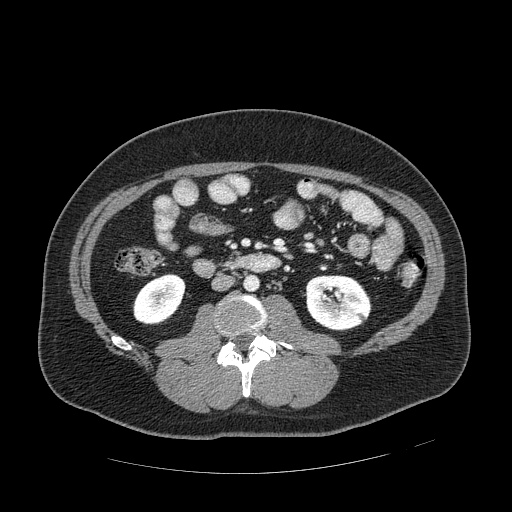
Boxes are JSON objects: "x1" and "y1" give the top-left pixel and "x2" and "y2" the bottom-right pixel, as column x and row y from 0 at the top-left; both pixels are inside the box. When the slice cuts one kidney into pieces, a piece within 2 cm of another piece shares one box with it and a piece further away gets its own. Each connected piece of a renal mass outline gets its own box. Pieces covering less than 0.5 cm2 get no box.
This is axial slice 234 of 389 (slice 1 is the lowest) of an arterial-phase abdominal CT with contrast; each pixel is 0.869 mm and the slice is 1.25 mm thick. Two boxes on this slice (two kidney boxes), listed by box centre from the image's left to its right. (1) Box {"x1": 132, "y1": 273, "x2": 185, "y2": 324}: right kidney (outlined area 1,999 px, about 15.1 cm2). (2) Left kidney, box {"x1": 304, "y1": 275, "x2": 371, "y2": 331} (outlined area 3,023 px, about 22.8 cm2). No renal mass is outlined on this slice.
Acquired at 120 kVp and reconstructed with the STANDARD kernel.